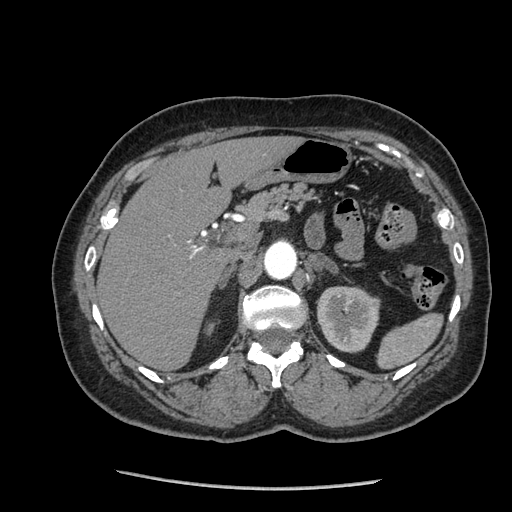
One axial slice (152 of 233, counting up from the lowest) of an arterial-phase abdominal CT acquired with 120 kVp, kernel STANDARD; each pixel is 0.703 mm and the slice is 1.25 mm thick.
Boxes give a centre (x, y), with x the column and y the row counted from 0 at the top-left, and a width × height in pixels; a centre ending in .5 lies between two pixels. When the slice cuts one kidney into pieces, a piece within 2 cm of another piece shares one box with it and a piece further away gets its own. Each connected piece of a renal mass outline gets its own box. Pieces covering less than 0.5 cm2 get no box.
Two boxes on this slice (two kidney boxes), listed by box centre from the image's left to its right. (1) Right kidney in a box with centre (212, 326.5), 15 × 12 pixels (outlined area 102 px, about 0.5 cm2). (2) Box centre (348, 319.5), 65 × 68 pixels: left kidney (outlined area 3,396 px, about 16.8 cm2). No renal mass outline on this slice.